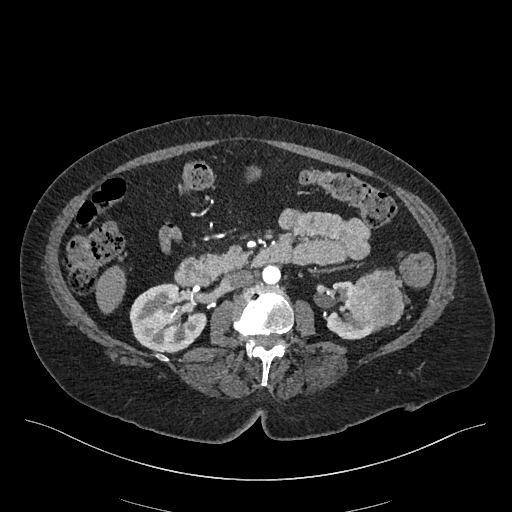
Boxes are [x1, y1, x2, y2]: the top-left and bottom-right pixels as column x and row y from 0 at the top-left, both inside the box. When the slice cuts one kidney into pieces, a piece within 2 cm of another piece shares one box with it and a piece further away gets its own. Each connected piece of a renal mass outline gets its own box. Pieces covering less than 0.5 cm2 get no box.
Arterial-phase contrast-enhanced abdominal CT, axial slice 238 of 548 (counted from the lowest slice); 1.00 mm thick, 0.852 mm per pixel. Boxed on this slice (two kidney boxes and one renal mass box), listed by box centre from the image's left to its right: (1) Right kidney, box [129, 283, 206, 353] (outlined area 3,970 px, about 28.8 cm2). (2) Left kidney, box [325, 281, 379, 339] (outlined area 1,555 px, about 11.3 cm2). (3) Left renal mass, box [350, 269, 404, 329] (outlined area 2,559 px, about 18.6 cm2).
Acquired at 120 kVp and reconstructed with the I26f kernel.